Abdominal CT with intravenous contrast, axial plane, 120 kVp, kernel B30f. Slice 20/48 from the bottom of the scan; thickness 5.00 mm; pixel size 0.736 mm.
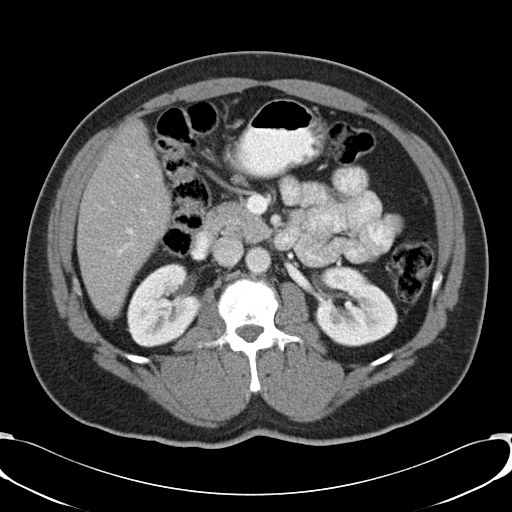
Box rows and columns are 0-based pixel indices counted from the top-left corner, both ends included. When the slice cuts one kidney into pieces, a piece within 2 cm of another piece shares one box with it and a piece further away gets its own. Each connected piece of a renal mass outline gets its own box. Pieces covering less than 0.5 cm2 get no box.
Boxed on this slice (two kidney boxes), listed by box centre from the image's left to its right: (1) Right kidney at rows 263–347, columns 127–200 (outlined area 4,561 px, about 24.7 cm2). (2) Left kidney, box rows 265–346, columns 314–397 (outlined area 5,016 px, about 27.2 cm2). This slice carries no renal mass outline.